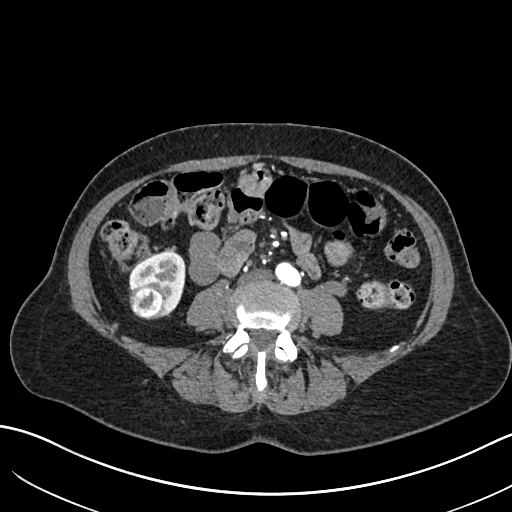
Arterial-phase contrast-enhanced abdominal CT, axial slice 271 of 683 (counted from the lowest slice); tube voltage 120 kVp, convolution kernel I30f; slices 1.00 mm thick, 0.738 mm per pixel.
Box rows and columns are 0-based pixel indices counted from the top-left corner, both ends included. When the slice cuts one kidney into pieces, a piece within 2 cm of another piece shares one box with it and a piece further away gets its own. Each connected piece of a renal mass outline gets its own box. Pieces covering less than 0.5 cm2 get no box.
Two boxes on this slice (one kidney box and one renal mass box), listed by box centre from the image's left to its right. (1) Box rows 282–319, columns 129–165: right renal mass (outlined area 1,125 px, about 6.1 cm2). (2) Right kidney, box rows 251–318, columns 129–185 (outlined area 2,055 px, about 11.2 cm2).